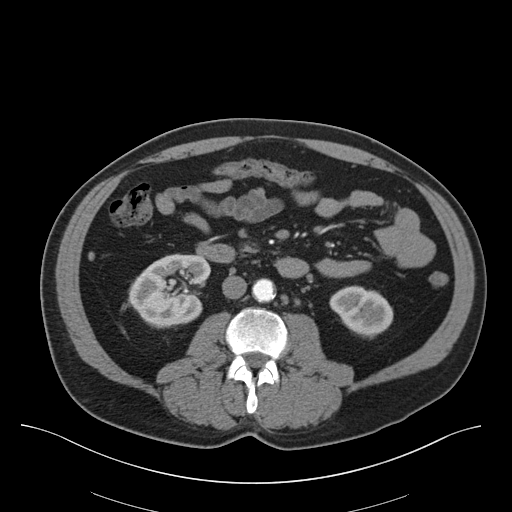
One axial slice (21 of 75, counting up from the lowest) of a contrast-enhanced abdominal CT acquired with 140 kVp, kernel B30f; each pixel is 0.875 mm and the slice is 3.00 mm thick.
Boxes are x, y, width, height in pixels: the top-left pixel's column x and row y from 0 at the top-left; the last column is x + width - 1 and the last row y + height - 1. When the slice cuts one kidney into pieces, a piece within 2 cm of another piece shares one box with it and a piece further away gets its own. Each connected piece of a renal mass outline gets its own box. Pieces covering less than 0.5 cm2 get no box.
Two kidney boxes on this slice; by box centre, from the image's left to its right: (1) Box x 128, y 253, width 83, height 76: right kidney (outlined area 4,536 px, about 34.7 cm2). (2) Left kidney, box x 329, y 285, width 65, height 54 (outlined area 2,365 px, about 18.1 cm2). No renal mass is outlined on this slice.